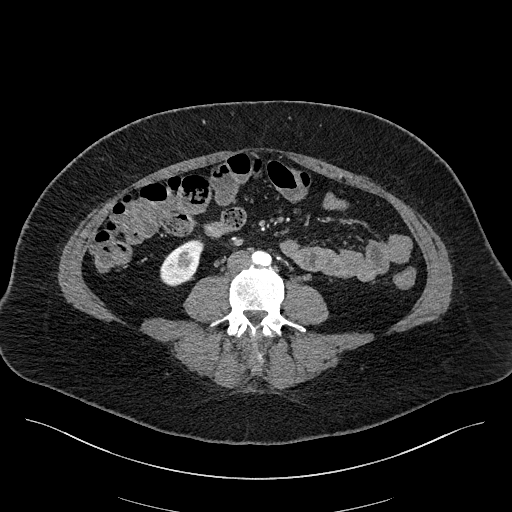
Arterial-phase contrast-enhanced abdominal CT, axial slice 48 of 270 (counted from the lowest slice); tube voltage 100 kVp, convolution kernel I40f; slices 2.00 mm thick, 0.855 mm per pixel.
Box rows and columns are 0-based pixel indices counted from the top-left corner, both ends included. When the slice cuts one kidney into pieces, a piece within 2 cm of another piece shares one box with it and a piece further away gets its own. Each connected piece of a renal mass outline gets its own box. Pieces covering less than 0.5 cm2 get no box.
Box rows 239–286, columns 160–203: right kidney (outlined area 1,406 px, about 10.3 cm2). No renal mass is outlined on this slice.